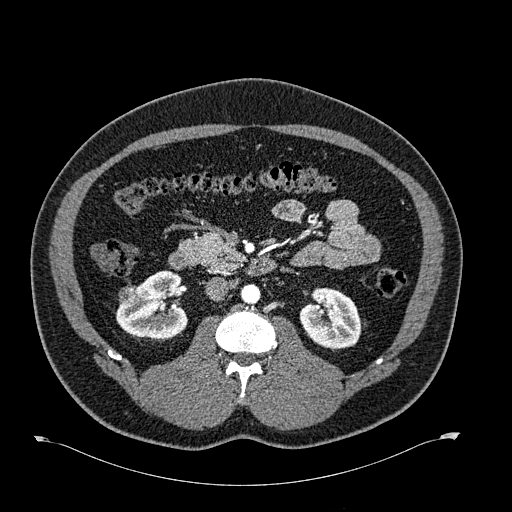
Arterial-phase contrast-enhanced abdominal CT, axial slice 351 of 723 (counted from the lowest slice); tube voltage 120 kVp, convolution kernel B30f; slices 1.00 mm thick, 0.895 mm per pixel.
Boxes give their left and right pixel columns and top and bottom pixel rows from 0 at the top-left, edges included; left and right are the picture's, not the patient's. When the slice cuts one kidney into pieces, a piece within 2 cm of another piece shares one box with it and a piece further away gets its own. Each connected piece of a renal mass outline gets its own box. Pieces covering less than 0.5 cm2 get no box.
Boxed on this slice (two kidney boxes and one renal mass box), listed by box centre from the image's left to its right: (1) Right renal mass in the box with left 118, top 284, right 138, bottom 304 (outlined area 324 px, about 2.6 cm2). (2) Box with left 115, top 270, right 188, bottom 340: right kidney (outlined area 3,529 px, about 28.2 cm2). (3) Box with left 299, top 287, right 361, bottom 348: left kidney (outlined area 2,913 px, about 23.3 cm2).